Arterial-phase contrast-enhanced abdominal CT, axial slice 128 of 279 (counted from the lowest slice); tube voltage 120 kVp, convolution kernel B31f; slices 2.00 mm thick, 0.824 mm per pixel.
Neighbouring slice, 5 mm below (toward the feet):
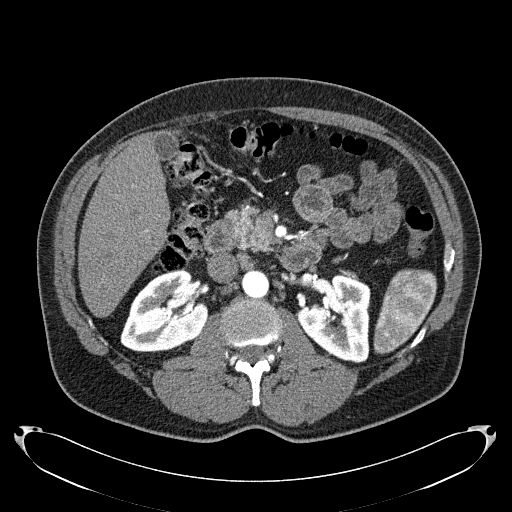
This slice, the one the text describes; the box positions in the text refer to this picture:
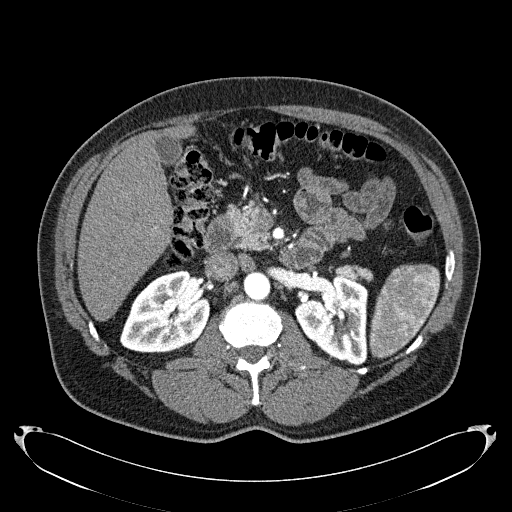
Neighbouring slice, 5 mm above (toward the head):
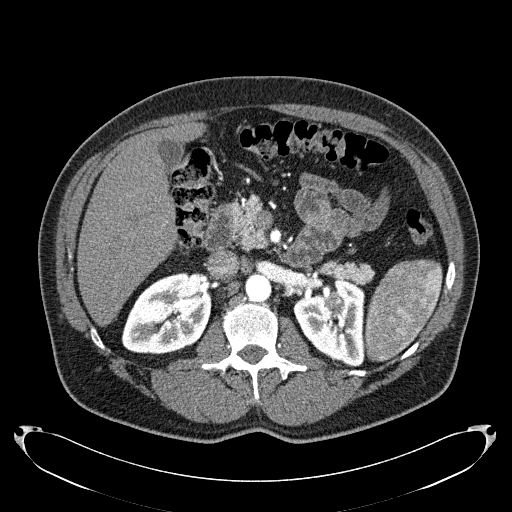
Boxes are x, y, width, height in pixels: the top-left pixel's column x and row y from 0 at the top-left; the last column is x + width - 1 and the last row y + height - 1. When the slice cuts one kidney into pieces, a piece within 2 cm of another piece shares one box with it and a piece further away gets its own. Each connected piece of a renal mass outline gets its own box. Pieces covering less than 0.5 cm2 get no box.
Two kidney boxes and one renal mass box on this slice; by box centre, from the image's left to its right: (1) Box x 120, y 270, width 91, height 83: right kidney (outlined area 5,448 px, about 37.0 cm2). (2) Left kidney, box x 294, y 274, width 75, height 92 (outlined area 4,754 px, about 32.3 cm2). (3) Left renal mass, box x 332, y 299, width 11, height 10 (outlined area 91 px, about 0.6 cm2). This slice is near the end of the left renal mass toward the feet, so the slices 5 mm below and 5 mm above it are shown as well; the boxes refer to this slice only.